Abdominal CT with intravenous contrast, arterial phase, axial plane, 120 kVp, kernel I30f. Slice 292/735 from the bottom of the scan; thickness 1.00 mm; pixel size 0.789 mm.
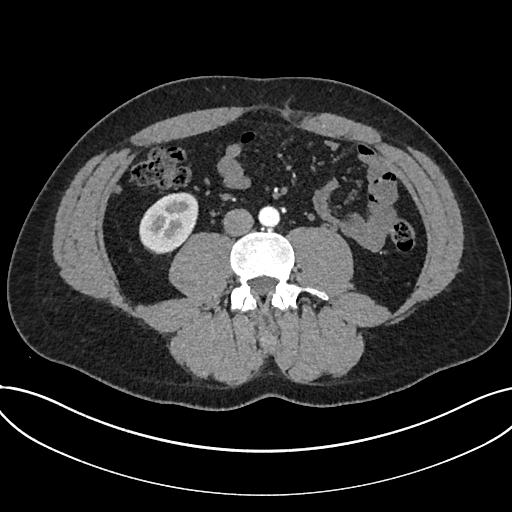
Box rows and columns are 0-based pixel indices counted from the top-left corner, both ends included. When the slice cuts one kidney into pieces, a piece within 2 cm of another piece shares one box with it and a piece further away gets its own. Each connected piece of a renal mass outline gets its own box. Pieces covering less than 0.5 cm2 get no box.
Box rows 192–254, columns 139–198: kidney (outlined area 2,754 px, about 17.1 cm2). No renal mass is outlined on this slice.